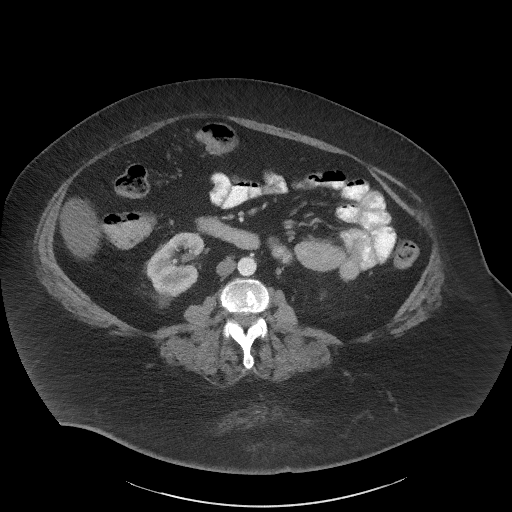
Abdominal CT with intravenous contrast, arterial phase, axial plane, 140 kVp, kernel I41f. Slice 18/61 from the bottom of the scan; thickness 3.00 mm; pixel size 0.947 mm.
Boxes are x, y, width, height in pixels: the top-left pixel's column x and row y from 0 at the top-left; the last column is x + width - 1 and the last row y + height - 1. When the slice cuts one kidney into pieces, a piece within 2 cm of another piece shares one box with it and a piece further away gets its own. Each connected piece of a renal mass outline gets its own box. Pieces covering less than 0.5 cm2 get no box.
Right kidney at x 144, y 232, width 62, height 67 (outlined area 2,831 px, about 25.4 cm2). This slice carries no renal mass outline.